Abdominal CT with intravenous contrast, axial plane, 120 kVp, kernel B. Slice 31/76 from the bottom of the scan; thickness 3.00 mm; pixel size 0.684 mm.
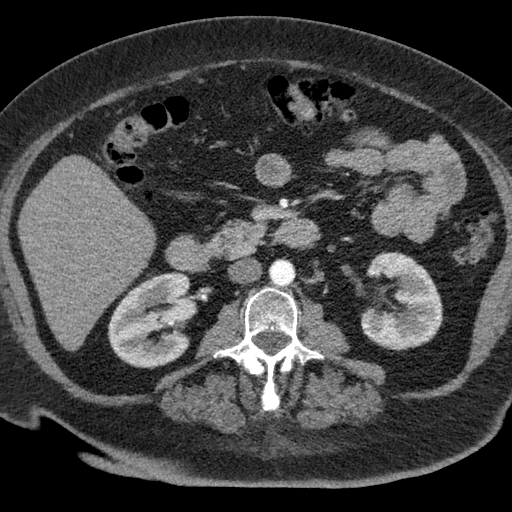
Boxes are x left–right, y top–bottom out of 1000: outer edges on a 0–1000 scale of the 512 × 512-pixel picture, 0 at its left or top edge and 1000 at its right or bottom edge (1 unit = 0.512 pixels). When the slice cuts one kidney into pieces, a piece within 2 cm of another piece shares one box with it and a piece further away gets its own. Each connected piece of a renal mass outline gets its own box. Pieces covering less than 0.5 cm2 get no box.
Two boxes on this slice (two kidney boxes), listed by box centre from the image's left to its right. (1) Box x 209–387, y 529–721 out of 1000: right kidney (outlined area 6,278 px, about 29.3 cm2). (2) Left kidney, box x 703–867, y 490–686 out of 1000 (outlined area 5,864 px, about 27.4 cm2). No renal mass is outlined on this slice.